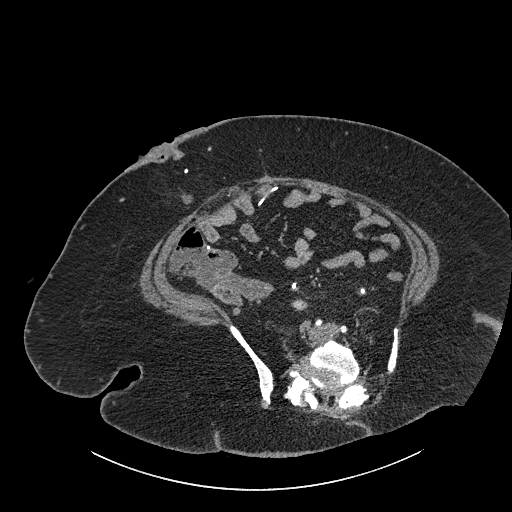
Contrast-enhanced abdominal CT, axial slice 378 of 834 (counted from the lowest slice); tube voltage 140 kVp, convolution kernel I30f; slices 1.00 mm thick, 0.977 mm per pixel.
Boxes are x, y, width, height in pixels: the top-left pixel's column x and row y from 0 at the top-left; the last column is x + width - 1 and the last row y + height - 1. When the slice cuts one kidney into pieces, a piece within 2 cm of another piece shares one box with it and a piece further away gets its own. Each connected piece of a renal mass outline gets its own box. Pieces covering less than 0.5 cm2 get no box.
Box x 291, y 299, width 18, height 12: right part of the midline-crossing kidney (outlined area 152 px, about 1.4 cm2). No renal mass is outlined on this slice.